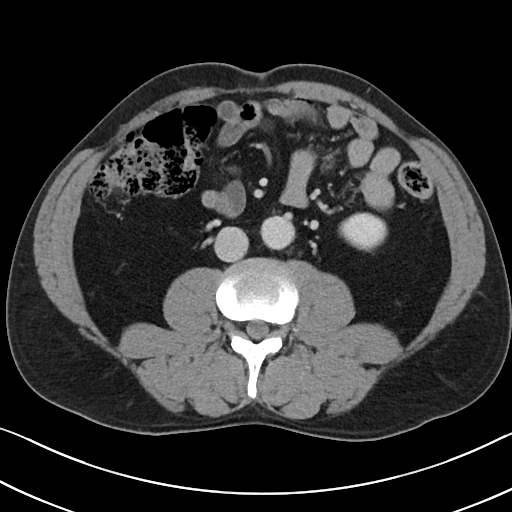
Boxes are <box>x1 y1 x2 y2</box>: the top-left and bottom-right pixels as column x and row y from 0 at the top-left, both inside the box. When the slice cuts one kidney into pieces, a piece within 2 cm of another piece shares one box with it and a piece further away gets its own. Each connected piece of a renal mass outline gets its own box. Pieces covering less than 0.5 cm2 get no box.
Slice 53/101 of a contrast-enhanced abdominal CT, counting up from the lowest; pixel size 0.684 mm, slice thickness 5.00 mm. At <box>338 212 387 251</box>: left kidney (outlined area 1,440 px, about 6.7 cm2). This slice carries no renal mass outline.
Scan settings: 100 kVp, I40f reconstruction kernel.